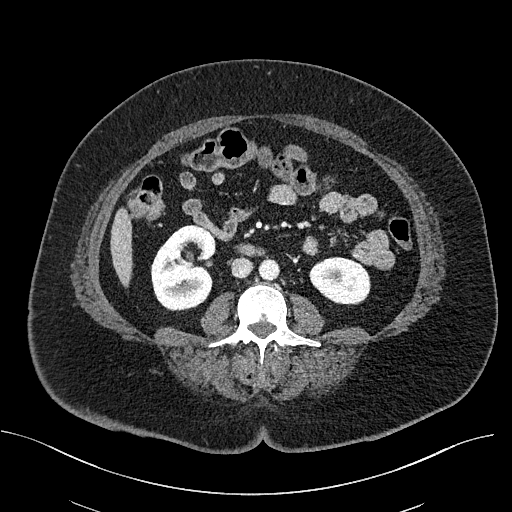
One axial slice (267 of 470, counting up from the lowest) of a contrast-enhanced abdominal CT acquired with 100 kVp, kernel I40f; each pixel is 0.824 mm and the slice is 2.00 mm thick.
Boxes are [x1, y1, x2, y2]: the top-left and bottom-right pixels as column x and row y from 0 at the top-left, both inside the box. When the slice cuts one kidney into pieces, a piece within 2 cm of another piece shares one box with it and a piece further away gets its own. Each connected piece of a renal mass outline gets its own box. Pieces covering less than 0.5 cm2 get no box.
Two boxes on this slice (two kidney boxes), listed by box centre from the image's left to its right. (1) Right kidney, box [150, 224, 216, 311] (outlined area 4,279 px, about 29.1 cm2). (2) Left kidney, box [309, 257, 370, 304] (outlined area 2,291 px, about 15.6 cm2). No renal mass is outlined on this slice.